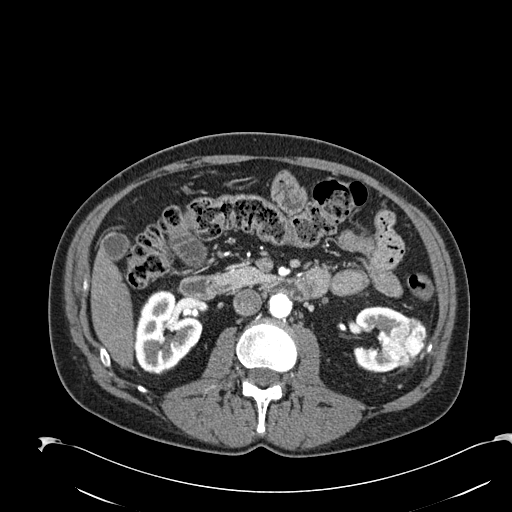
Arterial-phase contrast-enhanced abdominal CT, axial slice 111 of 274 (counted from the lowest slice); tube voltage 120 kVp, convolution kernel B30f; slices 2.00 mm thick, 0.809 mm per pixel.
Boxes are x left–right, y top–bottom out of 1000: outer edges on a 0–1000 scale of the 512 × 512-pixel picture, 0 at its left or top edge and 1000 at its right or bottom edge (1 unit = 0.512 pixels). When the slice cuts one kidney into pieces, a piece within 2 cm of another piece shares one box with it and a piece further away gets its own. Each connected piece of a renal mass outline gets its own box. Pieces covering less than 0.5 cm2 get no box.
Boxed on this slice (two kidney boxes and one renal mass box), listed by box centre from the image's left to its right: (1) Box x 264–396, y 566–732 out of 1000: right kidney (outlined area 4,091 px, about 26.7 cm2). (2) Left kidney at x 689–801, y 598–729 out of 1000 (outlined area 2,074 px, about 13.6 cm2). (3) Left renal mass at x 748–836, y 619–719 out of 1000 (outlined area 1,605 px, about 10.5 cm2).